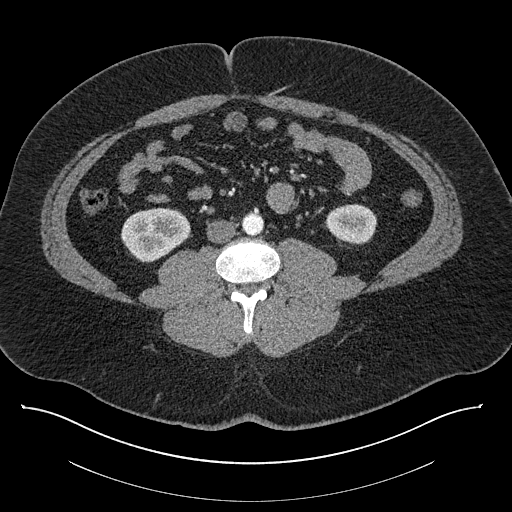
One axial slice (370 of 787, counting up from the lowest) of a contrast-enhanced abdominal CT acquired with 140 kVp, kernel I30f; each pixel is 0.910 mm and the slice is 1.00 mm thick.
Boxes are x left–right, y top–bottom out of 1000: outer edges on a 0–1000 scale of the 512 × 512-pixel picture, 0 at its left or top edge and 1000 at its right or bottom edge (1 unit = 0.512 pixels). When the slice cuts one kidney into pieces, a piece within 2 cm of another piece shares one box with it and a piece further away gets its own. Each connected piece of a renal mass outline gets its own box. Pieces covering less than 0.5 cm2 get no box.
Boxed on this slice (two kidney boxes), listed by box centre from the image's left to its right: (1) Right kidney, box x 234–373, y 404–514 out of 1000 (outlined area 2,845 px, about 23.6 cm2). (2) Box x 637–736, y 396–479 out of 1000: left kidney (outlined area 1,656 px, about 13.7 cm2). This slice carries no renal mass outline.